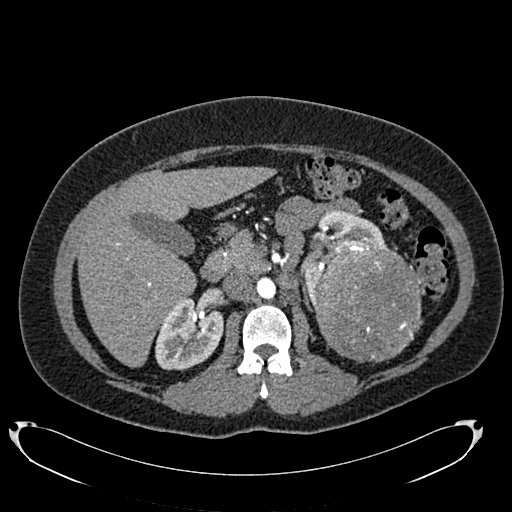
Abdominal CT with intravenous contrast, arterial phase, axial plane, 120 kVp, kernel B20f. Slice 451/634 from the bottom of the scan; thickness 1.00 mm; pixel size 0.838 mm.
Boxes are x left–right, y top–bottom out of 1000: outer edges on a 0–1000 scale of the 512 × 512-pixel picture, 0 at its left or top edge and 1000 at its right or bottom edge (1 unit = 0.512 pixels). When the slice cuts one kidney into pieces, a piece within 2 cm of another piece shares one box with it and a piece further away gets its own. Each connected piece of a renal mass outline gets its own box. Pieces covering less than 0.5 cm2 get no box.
Three boxes on this slice (two kidney boxes and one renal mass box), listed by box centre from the image's left to its right. (1) Box x 303–438, y 578–725 out of 1000: right kidney (outlined area 3,754 px, about 26.4 cm2). (2) Left kidney, box x 588–756, y 410–598 out of 1000 (outlined area 2,879 px, about 20.2 cm2). (3) Box x 611–826, y 479–709 out of 1000: left renal mass (outlined area 10,417 px, about 73.1 cm2).